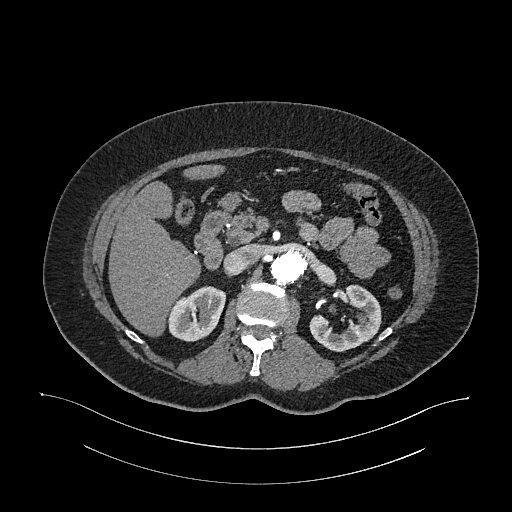
Axial slice 694 of 987 of a contrast-enhanced abdominal CT in the arterial phase (slice 1 is the lowest), 120 kVp, kernel I26f; 1.00 mm slice thickness and 0.977 mm pixels.
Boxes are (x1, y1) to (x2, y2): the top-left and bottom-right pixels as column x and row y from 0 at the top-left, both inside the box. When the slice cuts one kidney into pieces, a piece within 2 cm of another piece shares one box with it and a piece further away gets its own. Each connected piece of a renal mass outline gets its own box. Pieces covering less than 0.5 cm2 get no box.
Boxed on this slice (two kidney boxes), listed by box centre from the image's left to its right: (1) Box (167, 286) to (226, 341): right kidney (outlined area 2,353 px, about 22.4 cm2). (2) Left kidney, box (309, 284) to (381, 351) (outlined area 2,718 px, about 25.9 cm2). No renal mass outline on this slice.